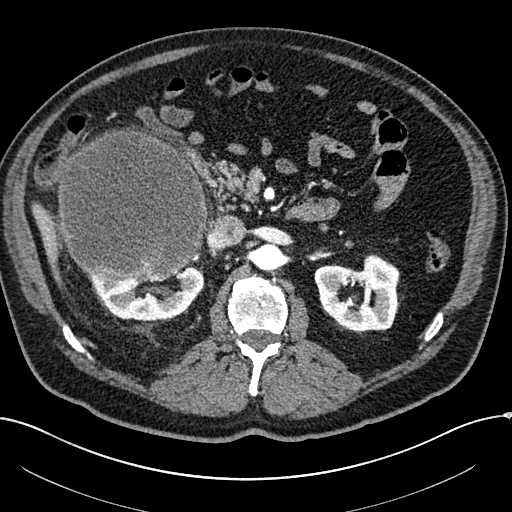
Axial slice 128 of 304 of a contrast-enhanced abdominal CT in the arterial phase (slice 1 is the lowest), 100 kVp, kernel I30f; 2.00 mm slice thickness and 0.809 mm pixels.
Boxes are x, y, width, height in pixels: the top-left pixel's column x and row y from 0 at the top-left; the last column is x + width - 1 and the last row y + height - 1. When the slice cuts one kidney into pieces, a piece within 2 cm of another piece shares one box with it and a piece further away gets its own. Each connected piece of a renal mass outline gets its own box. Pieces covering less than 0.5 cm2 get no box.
Two kidney boxes and one renal mass box on this slice; by box centre, from the image's left to its right: (1) Box x 57, y 127, width 151, height 156: right renal mass (outlined area 18,819 px, about 123.0 cm2). (2) Right kidney at x 87, y 265, width 118, height 57 (outlined area 3,756 px, about 24.6 cm2). (3) Box x 314, y 253, width 87, height 83: left kidney (outlined area 4,875 px, about 31.9 cm2).